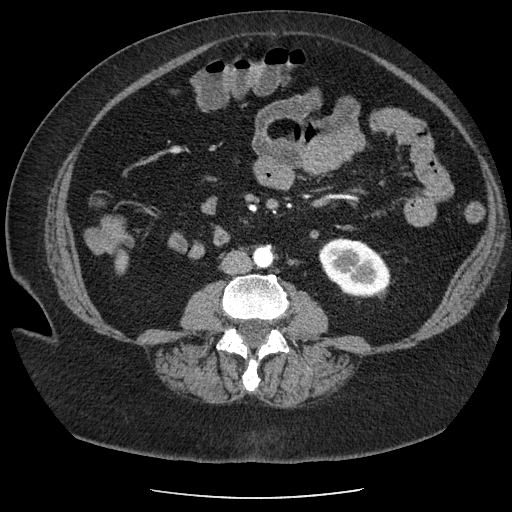
One axial slice (103 of 186, counting up from the lowest) of an arterial-phase abdominal CT acquired with 120 kVp, kernel STANDARD; each pixel is 0.742 mm and the slice is 2.50 mm thick.
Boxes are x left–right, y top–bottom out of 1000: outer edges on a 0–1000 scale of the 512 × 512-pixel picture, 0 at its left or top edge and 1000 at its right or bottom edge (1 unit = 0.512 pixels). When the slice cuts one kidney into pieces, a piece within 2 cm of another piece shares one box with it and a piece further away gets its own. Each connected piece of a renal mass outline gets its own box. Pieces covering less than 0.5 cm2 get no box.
Left kidney at x 621–764, y 463–582 out of 1000 (outlined area 3,138 px, about 17.3 cm2). No renal mass outline on this slice.